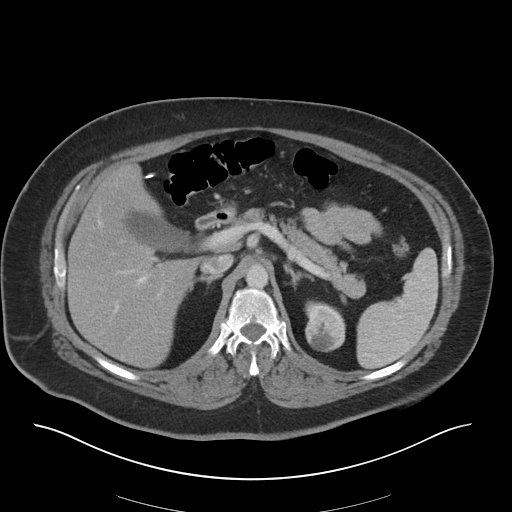
Arterial-phase contrast-enhanced abdominal CT, axial slice 27 of 36 (counted from the lowest slice); tube voltage 140 kVp, convolution kernel I30f; slices 5.00 mm thick, 0.906 mm per pixel.
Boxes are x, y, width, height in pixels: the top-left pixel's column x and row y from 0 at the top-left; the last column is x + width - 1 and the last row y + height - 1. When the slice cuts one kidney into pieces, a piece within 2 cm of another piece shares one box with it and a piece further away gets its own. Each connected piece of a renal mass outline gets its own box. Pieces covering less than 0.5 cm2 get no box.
Boxed on this slice (one kidney box and one renal mass box), listed by box centre from the image's left to its right: (1) Box x 304, y 300, width 33, height 18: left kidney (outlined area 201 px, about 1.7 cm2). (2) Box x 305, y 305, width 41, height 48: left renal mass (outlined area 1,532 px, about 12.6 cm2).